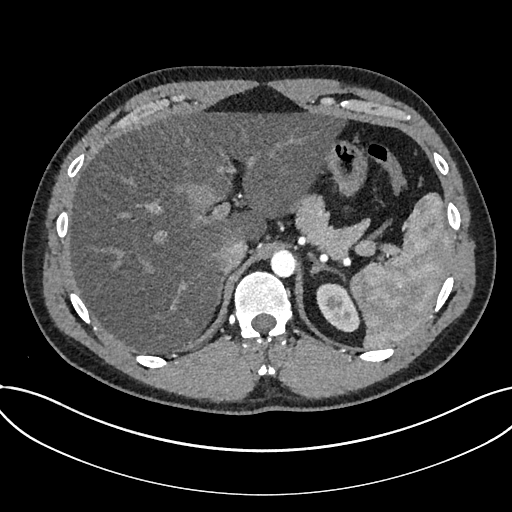
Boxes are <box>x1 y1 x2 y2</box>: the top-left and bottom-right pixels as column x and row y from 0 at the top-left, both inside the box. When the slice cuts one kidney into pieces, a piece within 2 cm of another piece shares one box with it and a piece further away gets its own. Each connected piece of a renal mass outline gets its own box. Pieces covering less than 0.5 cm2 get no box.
Slice 575/735 of a contrast-enhanced abdominal CT in the arterial phase, counting up from the lowest; pixel size 0.789 mm, slice thickness 1.00 mm. Kidney at <box>316 283 360 332</box> (outlined area 1,519 px, about 9.5 cm2). No renal mass is outlined on this slice.
Tube voltage 120 kVp; convolution kernel I30f.